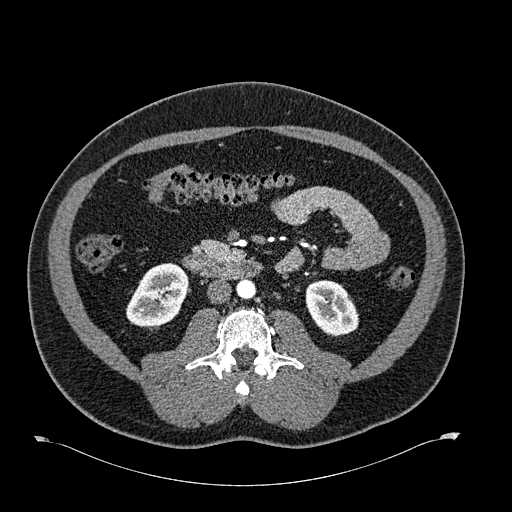
Axial slice 309 of 723 of a contrast-enhanced abdominal CT in the arterial phase (slice 1 is the lowest), 120 kVp, kernel B30f; 1.00 mm slice thickness and 0.895 mm pixels.
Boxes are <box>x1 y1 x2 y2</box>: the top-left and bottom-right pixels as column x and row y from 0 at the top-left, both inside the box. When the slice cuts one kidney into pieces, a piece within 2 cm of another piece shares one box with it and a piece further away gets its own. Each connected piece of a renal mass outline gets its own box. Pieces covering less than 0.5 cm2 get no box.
Boxed on this slice (two kidney boxes), listed by box centre from the image's left to its right: (1) Right kidney: <box>126 262 188 328</box> (outlined area 2,958 px, about 23.7 cm2). (2) At <box>305 280 359 336</box>: left kidney (outlined area 2,295 px, about 18.4 cm2). No renal mass outline on this slice.